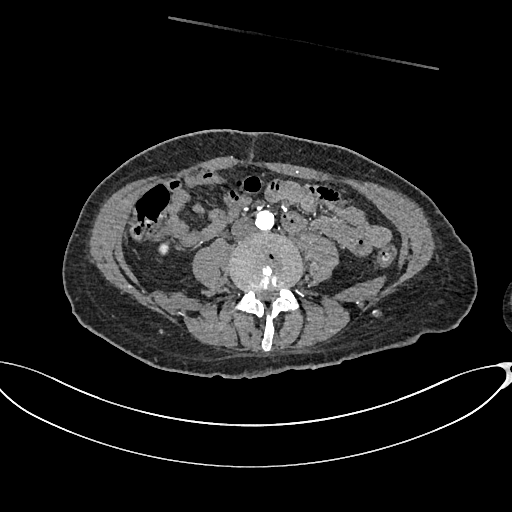
Axial slice 265 of 665 of a contrast-enhanced abdominal CT in the arterial phase (slice 1 is the lowest), 100 kVp, kernel I26f; 1.00 mm slice thickness and 0.828 mm pixels.
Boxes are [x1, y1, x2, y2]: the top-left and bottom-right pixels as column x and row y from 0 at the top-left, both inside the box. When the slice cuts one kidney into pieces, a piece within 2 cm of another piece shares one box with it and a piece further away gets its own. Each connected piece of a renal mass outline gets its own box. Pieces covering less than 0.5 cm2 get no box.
Right kidney at [159, 242, 169, 255] (outlined area 113 px, about 0.8 cm2). No renal mass is outlined on this slice.